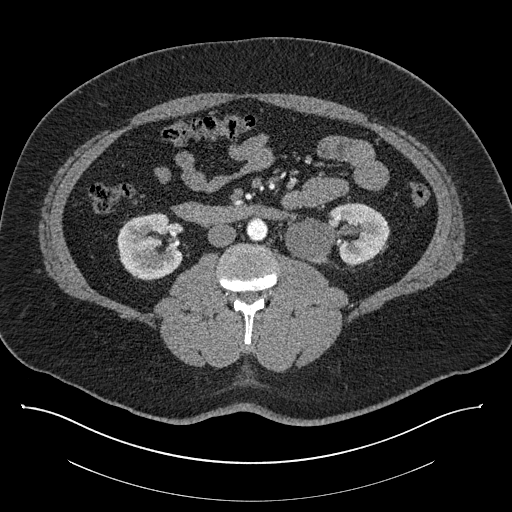
Contrast-enhanced abdominal CT, axial slice 438 of 787 (counted from the lowest slice); tube voltage 140 kVp, convolution kernel I30f; slices 1.00 mm thick, 0.910 mm per pixel.
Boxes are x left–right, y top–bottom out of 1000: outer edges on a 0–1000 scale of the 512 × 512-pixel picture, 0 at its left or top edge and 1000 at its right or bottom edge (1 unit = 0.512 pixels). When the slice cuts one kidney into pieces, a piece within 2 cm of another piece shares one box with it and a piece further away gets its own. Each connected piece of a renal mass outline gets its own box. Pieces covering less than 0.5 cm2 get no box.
Two boxes on this slice (two kidney boxes), listed by box centre from the image's left to its right. (1) Box x 229–357, y 414–549 out of 1000: right kidney (outlined area 3,395 px, about 28.1 cm2). (2) Left kidney at x 557–764, y 396–520 out of 1000 (outlined area 4,525 px, about 37.5 cm2). No renal mass outline on this slice.